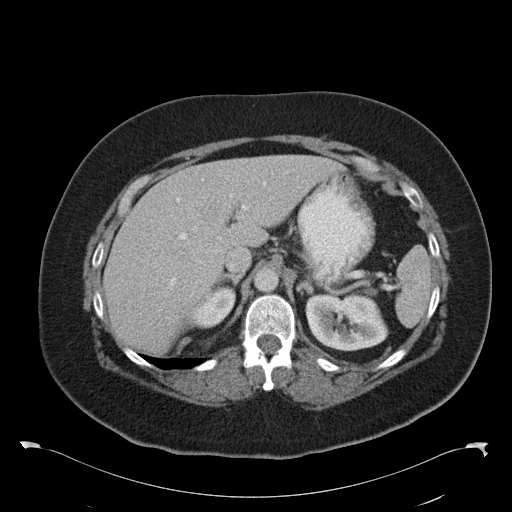
Abdominal CT with intravenous contrast, arterial phase, axial plane, 120 kVp, kernel B30f. Slice 73/97 from the bottom of the scan; thickness 5.00 mm; pixel size 0.824 mm.
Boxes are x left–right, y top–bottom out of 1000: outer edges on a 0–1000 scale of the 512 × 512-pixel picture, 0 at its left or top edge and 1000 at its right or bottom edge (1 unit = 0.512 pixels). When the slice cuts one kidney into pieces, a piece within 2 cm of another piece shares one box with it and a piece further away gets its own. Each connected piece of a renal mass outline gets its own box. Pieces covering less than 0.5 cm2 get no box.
Two boxes on this slice (two kidney boxes), listed by box centre from the image's left to its right. (1) Box x 377–461, y 559–643 out of 1000: right kidney (outlined area 1,197 px, about 8.1 cm2). (2) Box x 596–760, y 572–688 out of 1000: left kidney (outlined area 3,847 px, about 26.1 cm2). No renal mass outline on this slice.